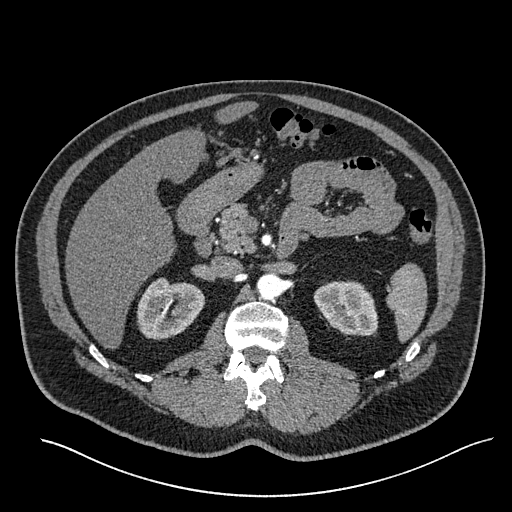
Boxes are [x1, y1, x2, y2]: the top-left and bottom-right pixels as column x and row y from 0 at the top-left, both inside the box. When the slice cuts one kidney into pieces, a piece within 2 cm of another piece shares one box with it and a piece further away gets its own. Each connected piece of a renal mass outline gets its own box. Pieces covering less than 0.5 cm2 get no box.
Slice 365/527 of a contrast-enhanced abdominal CT in the arterial phase, counting up from the lowest; pixel size 0.859 mm, slice thickness 1.00 mm. Boxed on this slice (two kidney boxes), listed by box centre from the image's left to its right: (1) Box [137, 277, 205, 340]: right kidney (outlined area 3,136 px, about 23.2 cm2). (2) Left kidney, box [313, 280, 378, 336] (outlined area 2,744 px, about 20.3 cm2). No renal mass outline on this slice.
Scan settings: 120 kVp, I30f reconstruction kernel.